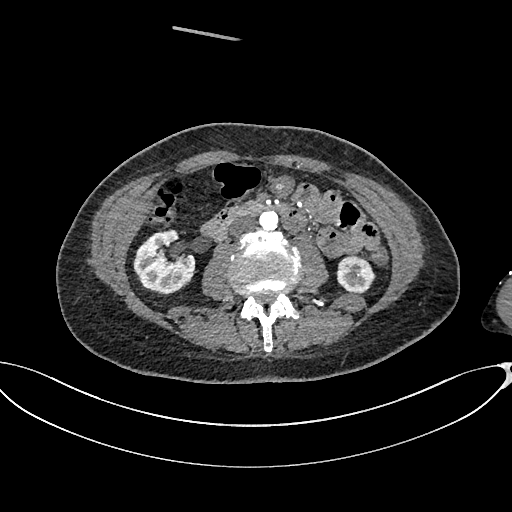
Abdominal CT with intravenous contrast, arterial phase, axial plane, 100 kVp, kernel I26f. Slice 329/665 from the bottom of the scan; thickness 1.00 mm; pixel size 0.828 mm.
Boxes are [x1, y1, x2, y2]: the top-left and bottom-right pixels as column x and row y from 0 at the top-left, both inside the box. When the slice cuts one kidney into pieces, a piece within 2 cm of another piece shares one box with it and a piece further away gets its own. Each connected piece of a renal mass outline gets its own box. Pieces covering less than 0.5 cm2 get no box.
Two boxes on this slice (two kidney boxes), listed by box centre from the image's left to its right. (1) Right kidney, box [133, 229, 195, 294] (outlined area 2,968 px, about 20.4 cm2). (2) Box [336, 256, 375, 293]: left kidney (outlined area 1,130 px, about 7.7 cm2). No renal mass outline on this slice.